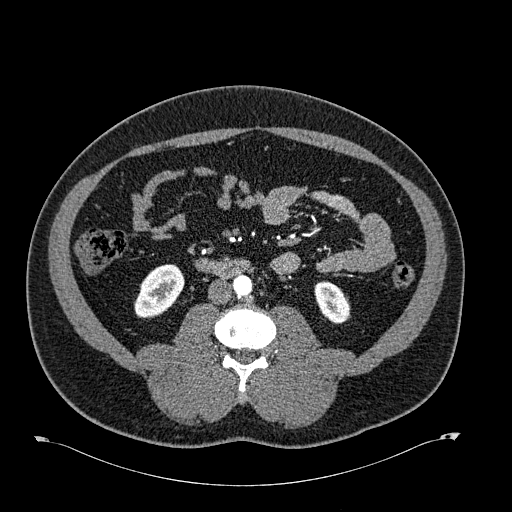
Abdominal CT with intravenous contrast, arterial phase, axial plane, 120 kVp, kernel B30f. Slice 283/723 from the bottom of the scan; thickness 1.00 mm; pixel size 0.895 mm.
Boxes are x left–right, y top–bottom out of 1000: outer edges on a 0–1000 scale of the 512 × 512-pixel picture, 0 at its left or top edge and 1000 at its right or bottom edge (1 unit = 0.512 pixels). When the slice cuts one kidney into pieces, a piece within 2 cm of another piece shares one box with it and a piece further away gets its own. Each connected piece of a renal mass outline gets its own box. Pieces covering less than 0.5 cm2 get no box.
Boxed on this slice (two kidney boxes), listed by box centre from the image's left to its right: (1) Right kidney at x 262–357, y 516–623 out of 1000 (outlined area 1,906 px, about 15.3 cm2). (2) Left kidney at x 613–682, y 549–633 out of 1000 (outlined area 1,103 px, about 8.8 cm2). No renal mass outline on this slice.